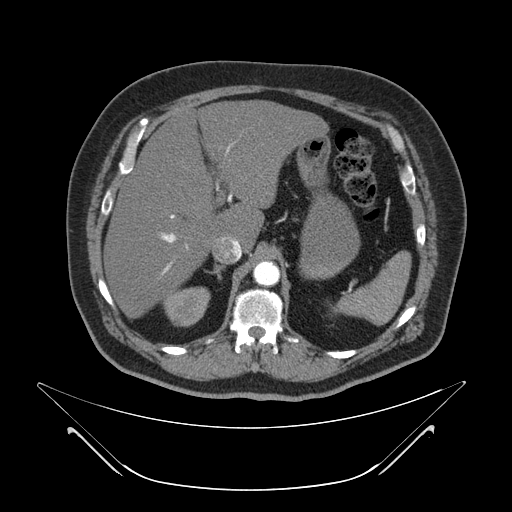
Contrast-enhanced abdominal CT, axial slice 42 of 64 (counted from the lowest slice); tube voltage 120 kVp, convolution kernel B; slices 4.00 mm thick, 0.977 mm per pixel.
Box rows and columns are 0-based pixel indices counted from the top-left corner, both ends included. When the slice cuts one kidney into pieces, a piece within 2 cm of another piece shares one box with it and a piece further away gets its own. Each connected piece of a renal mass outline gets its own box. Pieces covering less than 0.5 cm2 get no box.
Right kidney at rows 286–326, columns 161–210 (outlined area 1,456 px, about 13.9 cm2). No renal mass is outlined on this slice.